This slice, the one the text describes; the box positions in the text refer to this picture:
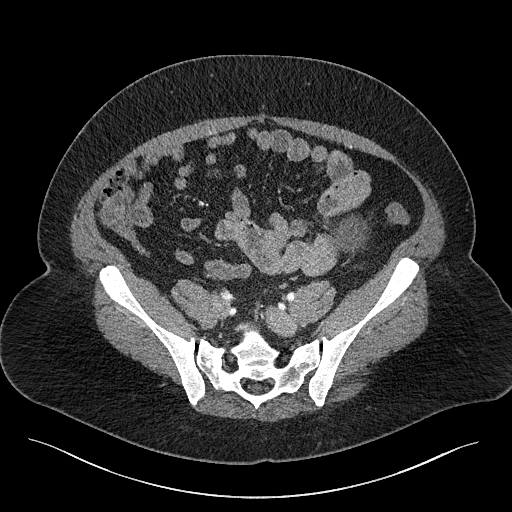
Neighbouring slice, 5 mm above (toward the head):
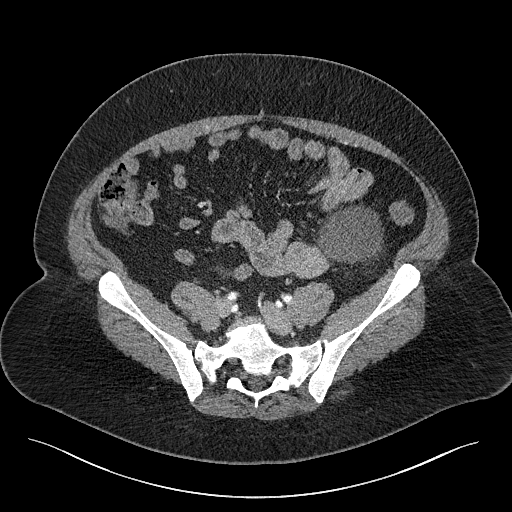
One axial slice (22 of 301, counting up from the lowest) of a contrast-enhanced abdominal CT acquired with 120 kVp, kernel I40f; each pixel is 0.859 mm and the slice is 2.00 mm thick.
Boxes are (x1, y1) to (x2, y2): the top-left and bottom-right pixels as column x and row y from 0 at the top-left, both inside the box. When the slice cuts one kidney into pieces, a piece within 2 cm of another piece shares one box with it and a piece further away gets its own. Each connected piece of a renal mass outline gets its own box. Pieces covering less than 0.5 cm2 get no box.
Left renal mass, box (329, 214) to (368, 254) (outlined area 1,073 px, about 7.9 cm2); no kidney outline appears on this slice, but the same outlined renal mass comes within 1 cm of the kidney on another slice. This slice is near the end of the left renal mass toward the feet, so the slice 5 mm above it is shown as well; the boxes refer to this slice only.